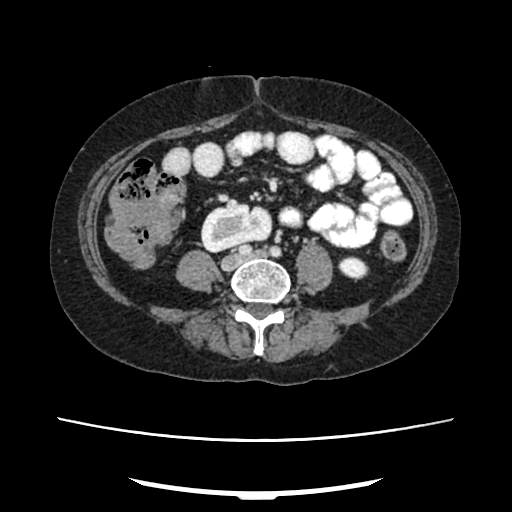
One axial slice (100 of 207, counting up from the lowest) of an arterial-phase abdominal CT acquired with 120 kVp, kernel FC18; each pixel is 0.741 mm and the slice is 2.00 mm thick.
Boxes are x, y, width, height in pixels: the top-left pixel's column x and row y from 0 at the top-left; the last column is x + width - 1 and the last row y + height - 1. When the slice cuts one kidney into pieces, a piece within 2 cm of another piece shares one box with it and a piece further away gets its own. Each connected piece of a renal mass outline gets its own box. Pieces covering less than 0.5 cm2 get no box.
Two kidney boxes on this slice; by box centre, from the image's left to its right: (1) Right kidney, box x 201, y 204, width 72, height 49 (outlined area 2,648 px, about 14.5 cm2). (2) Box x 338, y 256, width 31, height 25: left kidney (outlined area 546 px, about 3.0 cm2). This slice carries no renal mass outline.